One axial slice (390 of 527, counting up from the lowest) of an arterial-phase abdominal CT acquired with 120 kVp, kernel I30f; each pixel is 0.859 mm and the slice is 1.00 mm thick.
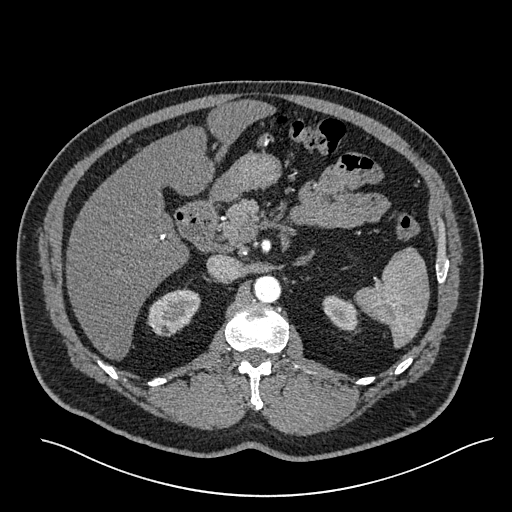
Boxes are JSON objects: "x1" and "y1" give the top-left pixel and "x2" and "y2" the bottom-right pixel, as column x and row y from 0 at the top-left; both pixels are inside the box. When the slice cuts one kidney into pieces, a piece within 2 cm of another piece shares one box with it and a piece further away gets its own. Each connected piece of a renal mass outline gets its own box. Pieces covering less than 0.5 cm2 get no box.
Two kidney boxes on this slice; by box centre, from the image's left to its right: (1) Right kidney, box {"x1": 147, "y1": 288, "x2": 200, "y2": 336} (outlined area 1,808 px, about 13.4 cm2). (2) Left kidney at {"x1": 322, "y1": 295, "x2": 358, "y2": 330} (outlined area 922 px, about 6.8 cm2). This slice carries no renal mass outline.